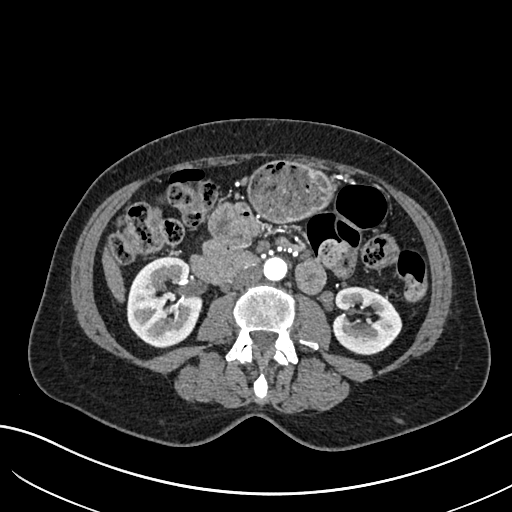
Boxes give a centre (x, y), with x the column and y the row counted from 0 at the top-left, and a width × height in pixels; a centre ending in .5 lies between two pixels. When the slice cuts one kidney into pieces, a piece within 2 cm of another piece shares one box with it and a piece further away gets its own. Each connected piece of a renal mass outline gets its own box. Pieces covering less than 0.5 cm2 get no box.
Arterial-phase contrast-enhanced abdominal CT, axial slice 331 of 683 (counted from the lowest slice); 1.00 mm thick, 0.738 mm per pixel. Two kidney boxes on this slice; by box centre, from the image's left to its right: (1) Right kidney in a box with centre (164, 302), 77 × 93 pixels (outlined area 5,341 px, about 29.1 cm2). (2) Left kidney, box centre (366.5, 320.5), 72 × 70 pixels (outlined area 3,532 px, about 19.3 cm2). No renal mass outline on this slice.
Scan settings: 120 kVp, I30f reconstruction kernel.